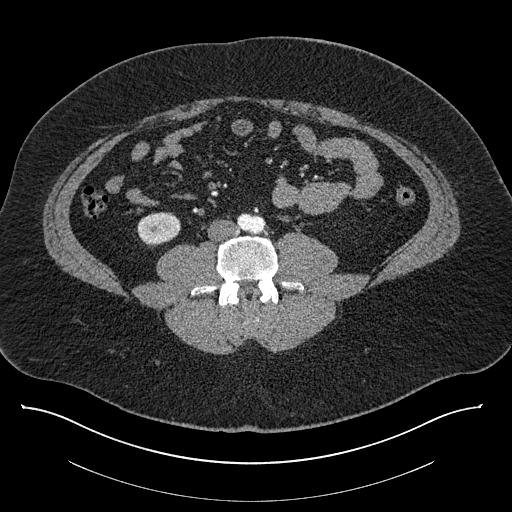
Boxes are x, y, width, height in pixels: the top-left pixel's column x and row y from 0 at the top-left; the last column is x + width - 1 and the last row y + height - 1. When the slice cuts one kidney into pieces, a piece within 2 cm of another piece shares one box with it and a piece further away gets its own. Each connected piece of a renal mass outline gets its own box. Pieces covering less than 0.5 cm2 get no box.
Slice 334/787 of a contrast-enhanced abdominal CT, counting up from the lowest; pixel size 0.910 mm, slice thickness 1.00 mm. Right kidney, box x 137, y 212, width 44, height 36 (outlined area 1,191 px, about 9.9 cm2). No renal mass outline on this slice.
Scan settings: 140 kVp, I30f reconstruction kernel.